Abdominal CT with intravenous contrast, arterial phase, axial plane, 120 kVp, kernel STANDARD. Slice 21/53 from the bottom of the scan; thickness 5.00 mm; pixel size 0.703 mm.
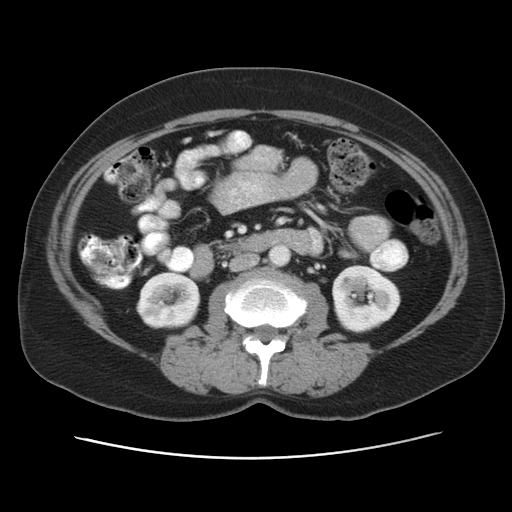
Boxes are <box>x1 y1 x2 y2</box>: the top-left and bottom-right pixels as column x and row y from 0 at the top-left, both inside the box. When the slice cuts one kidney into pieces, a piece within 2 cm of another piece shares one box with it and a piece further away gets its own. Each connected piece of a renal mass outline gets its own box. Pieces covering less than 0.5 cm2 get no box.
Boxed on this slice (two kidney boxes), listed by box centre from the image's left to its right: (1) Right kidney: <box>136 271 200 328</box> (outlined area 2,966 px, about 14.7 cm2). (2) At <box>332 265 400 333</box>: left kidney (outlined area 3,586 px, about 17.7 cm2). No renal mass is outlined on this slice.